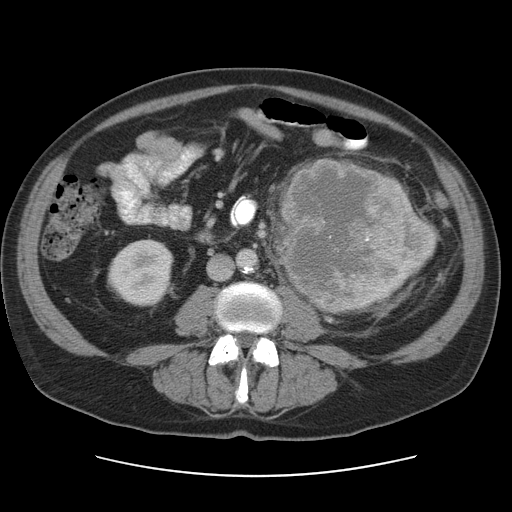
Axial slice 51 of 95 of a contrast-enhanced abdominal CT (slice 1 is the lowest), 120 kVp, kernel STANDARD; 5.00 mm slice thickness and 0.781 mm pixels.
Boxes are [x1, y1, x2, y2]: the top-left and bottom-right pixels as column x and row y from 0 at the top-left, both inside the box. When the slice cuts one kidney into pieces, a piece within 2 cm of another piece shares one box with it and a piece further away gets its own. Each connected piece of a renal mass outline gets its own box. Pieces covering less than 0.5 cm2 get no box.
Three boxes on this slice (two kidney boxes and one renal mass box), listed by box centre from the image's left to its right. (1) Right kidney at [107, 238, 173, 307] (outlined area 3,546 px, about 21.6 cm2). (2) Left renal mass at [280, 159, 413, 312] (outlined area 16,815 px, about 102.6 cm2). (3) Left kidney at [389, 210, 439, 298] (outlined area 1,360 px, about 8.3 cm2).